Arterial-phase contrast-enhanced abdominal CT, axial slice 101 of 234 (counted from the lowest slice); tube voltage 100 kVp, convolution kernel I40f; slices 2.00 mm thick, 0.699 mm per pixel.
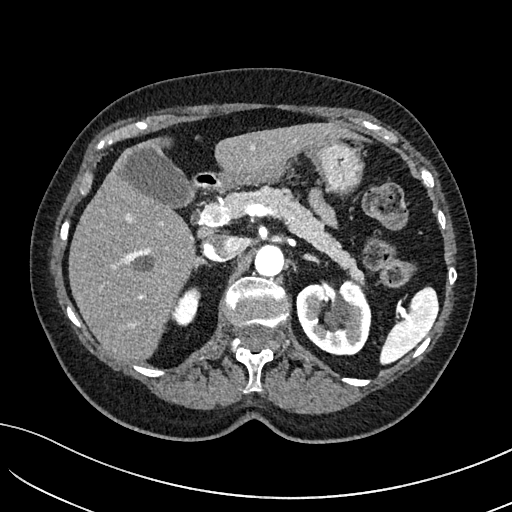
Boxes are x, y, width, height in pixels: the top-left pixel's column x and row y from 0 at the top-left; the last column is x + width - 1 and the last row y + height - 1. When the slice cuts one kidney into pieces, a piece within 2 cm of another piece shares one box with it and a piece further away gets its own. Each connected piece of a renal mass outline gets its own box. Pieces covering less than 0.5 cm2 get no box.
Boxed on this slice (two kidney boxes), listed by box centre from the image's left to its right: (1) Right kidney at x 171, y 288, width 30, height 38 (outlined area 775 px, about 3.8 cm2). (2) Box x 296, y 278, width 76, height 78: left kidney (outlined area 4,483 px, about 21.9 cm2). No renal mass outline on this slice.